Abdominal CT with intravenous contrast, arterial phase, axial plane, 120 kVp, kernel B31f. Slice 141/279 from the bottom of the scan; thickness 2.00 mm; pixel size 0.824 mm.
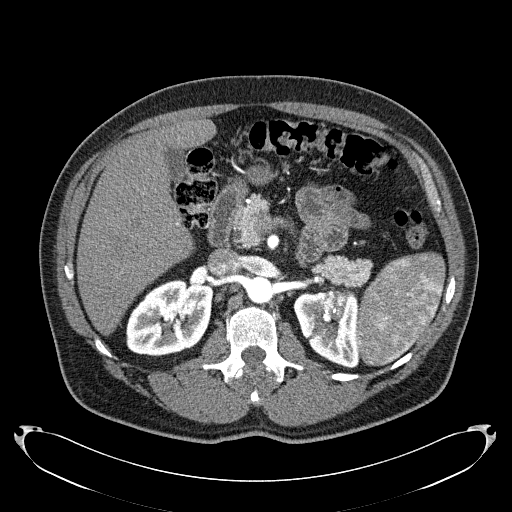
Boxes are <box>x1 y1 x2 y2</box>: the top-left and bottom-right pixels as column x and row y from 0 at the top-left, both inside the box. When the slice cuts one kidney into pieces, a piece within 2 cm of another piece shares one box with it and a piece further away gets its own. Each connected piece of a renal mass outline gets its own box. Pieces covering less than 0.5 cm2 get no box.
Two kidney boxes and one renal mass box on this slice; by box centre, from the image's left to its right: (1) Right kidney at <box>126 279 213 356</box> (outlined area 5,220 px, about 35.5 cm2). (2) At <box>293 291 359 368</box>: left kidney (outlined area 3,479 px, about 23.6 cm2). (3) Left renal mass at <box>325 289 346 315</box> (outlined area 477 px, about 3.2 cm2).